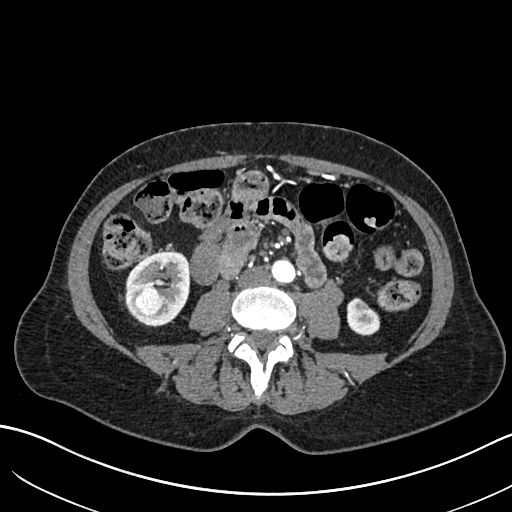
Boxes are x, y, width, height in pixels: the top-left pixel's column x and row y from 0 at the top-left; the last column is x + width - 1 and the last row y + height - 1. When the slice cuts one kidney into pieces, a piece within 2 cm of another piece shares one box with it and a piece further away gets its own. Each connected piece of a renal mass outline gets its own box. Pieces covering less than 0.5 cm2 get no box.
Arterial-phase contrast-enhanced abdominal CT, axial slice 288 of 683 (counted from the lowest slice); 1.00 mm thick, 0.738 mm per pixel. Three boxes on this slice (two kidney boxes and one renal mass box), listed by box centre from the image's left to its right. (1) Right renal mass, box x 132, y 286, width 34, height 30 (outlined area 820 px, about 4.5 cm2). (2) Right kidney at x 124, y 251, width 66, height 75 (outlined area 3,139 px, about 17.1 cm2). (3) Left kidney at x 346, y 297, width 35, height 39 (outlined area 972 px, about 5.3 cm2).
Scan settings: 120 kVp, I30f reconstruction kernel.